Axial slice 46 of 85 of a contrast-enhanced abdominal CT in the arterial phase (slice 1 is the lowest), 120 kVp, kernel FC19; 5.00 mm slice thickness and 1.041 mm pixels.
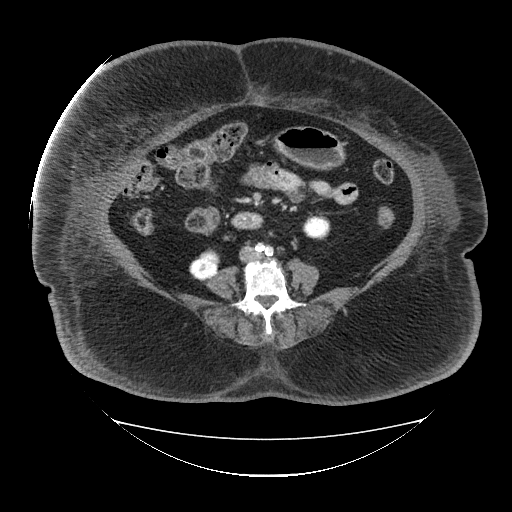
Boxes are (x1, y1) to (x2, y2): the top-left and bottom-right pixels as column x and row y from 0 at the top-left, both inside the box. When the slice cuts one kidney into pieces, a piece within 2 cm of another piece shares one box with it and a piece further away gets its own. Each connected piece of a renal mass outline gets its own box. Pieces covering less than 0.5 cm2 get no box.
Two kidney boxes on this slice; by box centre, from the image's left to its right: (1) Right kidney from (189, 248) to (219, 281) (outlined area 710 px, about 7.7 cm2). (2) Left kidney from (302, 213) to (330, 239) (outlined area 586 px, about 6.4 cm2). This slice carries no renal mass outline.